Abdominal CT with intravenous contrast, axial plane, 120 kVp, kernel B30f. Slice 27/48 from the bottom of the scan; thickness 5.00 mm; pixel size 0.736 mm.
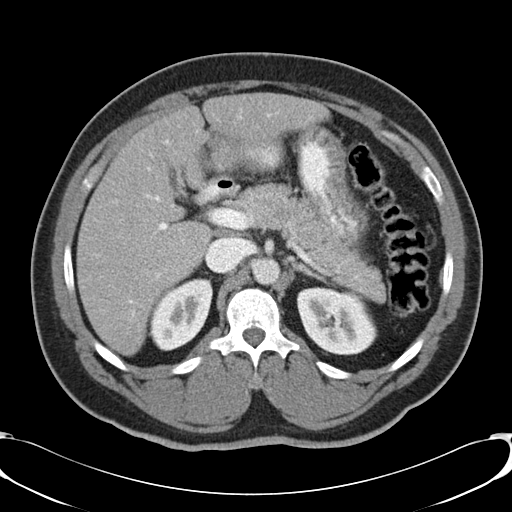
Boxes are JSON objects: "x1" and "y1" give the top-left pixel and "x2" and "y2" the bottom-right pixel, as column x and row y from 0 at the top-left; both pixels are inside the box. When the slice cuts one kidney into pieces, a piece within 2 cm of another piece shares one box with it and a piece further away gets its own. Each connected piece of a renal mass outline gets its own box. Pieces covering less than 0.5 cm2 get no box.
Two boxes on this slice (two kidney boxes), listed by box centre from the image's left to its right. (1) Right kidney at {"x1": 149, "y1": 278, "x2": 212, "y2": 350} (outlined area 3,345 px, about 18.1 cm2). (2) Box {"x1": 296, "y1": 287, "x2": 377, "y2": 355}: left kidney (outlined area 4,146 px, about 22.5 cm2). This slice carries no renal mass outline.